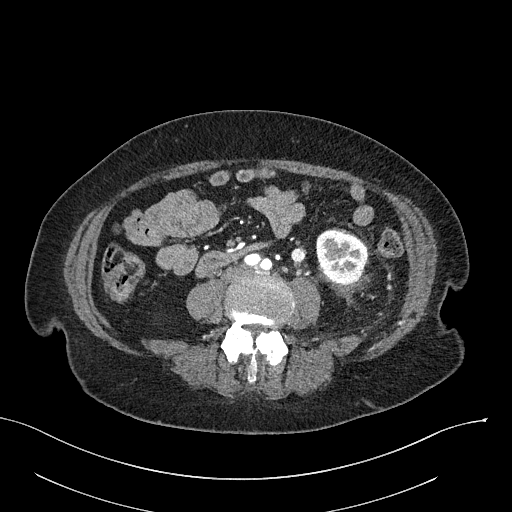
Arterial-phase contrast-enhanced abdominal CT, axial slice 81 of 316 (counted from the lowest slice); tube voltage 100 kVp, convolution kernel I40f; slices 2.00 mm thick, 0.840 mm per pixel.
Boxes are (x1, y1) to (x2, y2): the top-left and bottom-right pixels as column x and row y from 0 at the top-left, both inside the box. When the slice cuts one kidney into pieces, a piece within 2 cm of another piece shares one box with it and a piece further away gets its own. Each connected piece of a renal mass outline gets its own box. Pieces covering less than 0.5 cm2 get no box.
Left kidney from (316, 230) to (366, 284) (outlined area 2,184 px, about 15.4 cm2). This slice carries no renal mass outline.